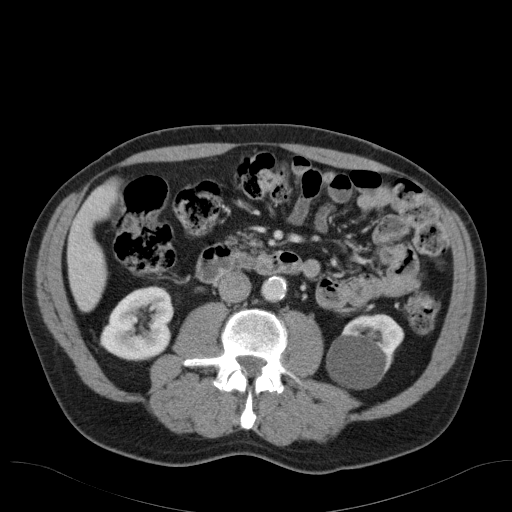
Axial slice 61 of 98 of a contrast-enhanced abdominal CT in the arterial phase (slice 1 is the lowest), 120 kVp, kernel B31f; 5.00 mm slice thickness and 0.764 mm pixels.
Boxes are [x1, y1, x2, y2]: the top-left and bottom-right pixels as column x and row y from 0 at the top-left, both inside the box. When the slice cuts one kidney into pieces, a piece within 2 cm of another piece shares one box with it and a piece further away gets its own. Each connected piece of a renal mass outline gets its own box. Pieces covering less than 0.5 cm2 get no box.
Boxed on this slice (two kidney boxes), listed by box centre from the image's left to its right: (1) Right kidney at [100, 286, 173, 361] (outlined area 4,160 px, about 24.3 cm2). (2) Left kidney, box [326, 314, 404, 389] (outlined area 4,221 px, about 24.6 cm2). No renal mass is outlined on this slice.